One axial slice (366 of 673, counting up from the lowest) of an arterial-phase abdominal CT acquired with 120 kVp, kernel I30f; each pixel is 0.855 mm and the slice is 1.00 mm thick.
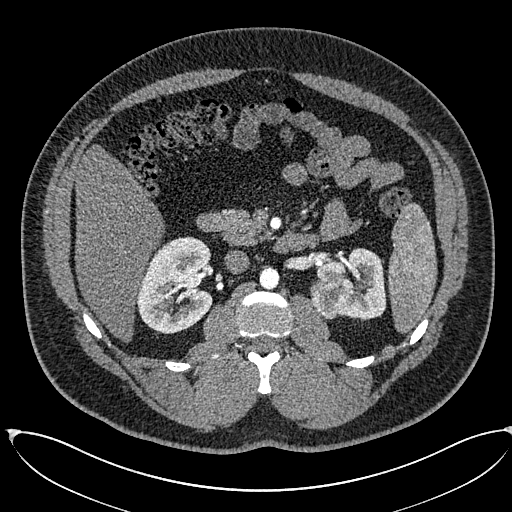
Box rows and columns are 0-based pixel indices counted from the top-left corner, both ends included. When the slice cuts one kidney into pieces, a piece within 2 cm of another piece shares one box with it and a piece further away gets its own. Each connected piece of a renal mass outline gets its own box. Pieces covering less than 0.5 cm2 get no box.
Three boxes on this slice (two kidney boxes and one renal mass box), listed by box centre from the image's left to its right. (1) Right kidney, box rows 236–333, columns 137–212 (outlined area 5,655 px, about 41.4 cm2). (2) Left renal mass at rows 276–319, columns 310–352 (outlined area 1,457 px, about 10.7 cm2). (3) Left kidney at rows 247–319, columns 317–386 (outlined area 2,913 px, about 21.3 cm2).